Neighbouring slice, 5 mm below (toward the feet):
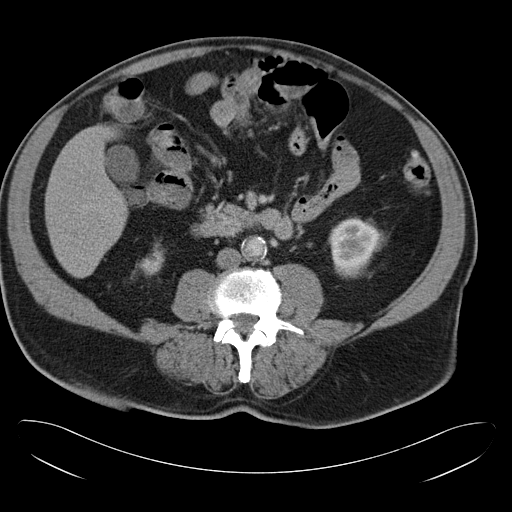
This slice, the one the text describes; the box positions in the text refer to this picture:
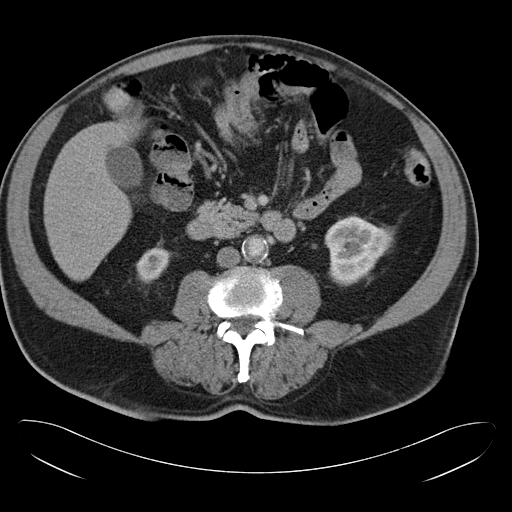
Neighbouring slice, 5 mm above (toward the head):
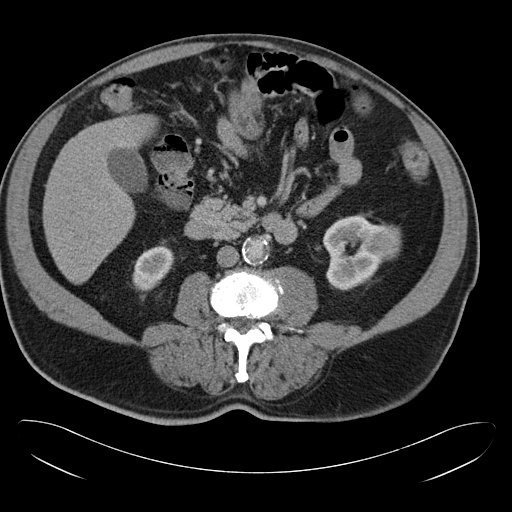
One axial slice (11 of 34, counting up from the lowest) of an arterial-phase abdominal CT acquired with 120 kVp, kernel B30f; each pixel is 0.830 mm and the slice is 5.00 mm thick.
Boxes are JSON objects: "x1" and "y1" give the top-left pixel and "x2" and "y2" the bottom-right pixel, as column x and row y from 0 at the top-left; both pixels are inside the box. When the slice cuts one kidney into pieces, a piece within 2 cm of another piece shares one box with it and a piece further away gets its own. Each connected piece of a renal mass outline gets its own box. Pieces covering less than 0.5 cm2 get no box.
Three boxes on this slice (two kidney boxes and one renal mass box), listed by box centre from the image's left to its right. (1) Right kidney, box {"x1": 135, "y1": 245, "x2": 171, "y2": 283} (outlined area 915 px, about 6.3 cm2). (2) Left kidney, box {"x1": 324, "y1": 215, "x2": 390, "y2": 286} (outlined area 3,115 px, about 21.5 cm2). (3) Left renal mass at {"x1": 380, "y1": 229, "x2": 392, "y2": 245} (outlined area 171 px, about 1.2 cm2). This slice is near the end of the left renal mass toward the feet, so the slices 5 mm below and 5 mm above it are shown as well; the boxes refer to this slice only.